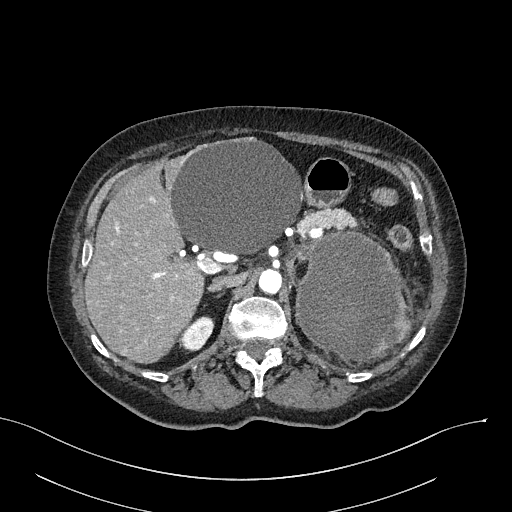
One axial slice (181 of 316, counting up from the lowest) of an arterial-phase abdominal CT acquired with 100 kVp, kernel I40f; each pixel is 0.840 mm and the slice is 2.00 mm thick.
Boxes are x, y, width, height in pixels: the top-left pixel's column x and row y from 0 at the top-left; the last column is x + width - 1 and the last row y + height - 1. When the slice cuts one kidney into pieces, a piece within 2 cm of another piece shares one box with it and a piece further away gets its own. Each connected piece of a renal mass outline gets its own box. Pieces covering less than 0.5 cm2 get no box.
Two boxes on this slice (one kidney box and one renal mass box), listed by box centre from the image's left to its right. (1) Right kidney at x 179, y 316, width 36, height 36 (outlined area 852 px, about 6.0 cm2). (2) Box x 295, y 230, width 119, height 135: left renal mass (outlined area 11,949 px, about 84.3 cm2); it sits over 1 cm from every kidney outline on this slice, but the same outlined renal mass comes within 1 cm of the kidney on another slice.